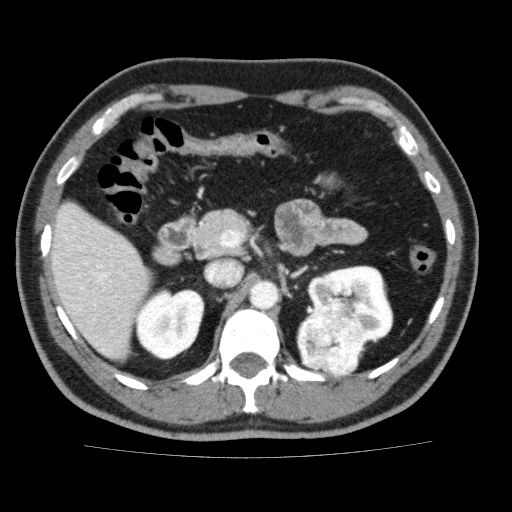
One axial slice (113 of 159, counting up from the lowest) of a contrast-enhanced abdominal CT acquired with 120 kVp, kernel FC13; each pixel is 0.668 mm and the slice is 3.00 mm thick.
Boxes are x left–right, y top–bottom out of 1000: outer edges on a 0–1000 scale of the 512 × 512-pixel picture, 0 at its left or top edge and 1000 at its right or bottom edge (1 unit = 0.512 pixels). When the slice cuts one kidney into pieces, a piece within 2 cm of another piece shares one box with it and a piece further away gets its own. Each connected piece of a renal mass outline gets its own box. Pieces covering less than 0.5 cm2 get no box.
Boxed on this slice (two kidney boxes and one renal mass box), listed by box centre from the image's left to its right: (1) Box x 262–400, y 563–705 out of 1000: right kidney (outlined area 3,899 px, about 17.4 cm2). (2) Left renal mass at x 578–713, y 586–740 out of 1000 (outlined area 4,130 px, about 18.4 cm2). (3) Box x 600–770, y 518–678 out of 1000: left kidney (outlined area 3,783 px, about 16.9 cm2).